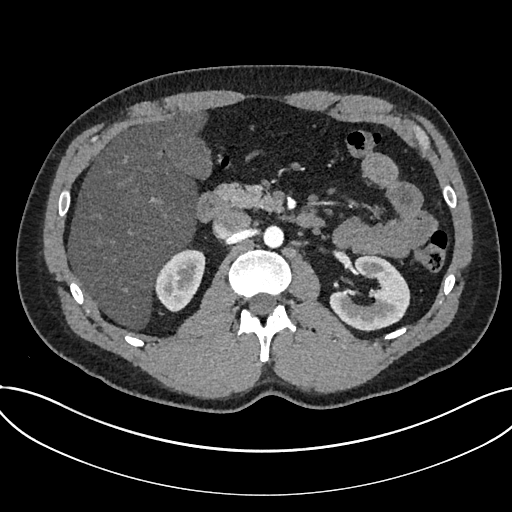
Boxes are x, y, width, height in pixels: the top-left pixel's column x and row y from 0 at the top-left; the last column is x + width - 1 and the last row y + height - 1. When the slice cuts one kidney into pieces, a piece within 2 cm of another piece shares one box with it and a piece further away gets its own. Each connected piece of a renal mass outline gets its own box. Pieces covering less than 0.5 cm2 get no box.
Arterial-phase contrast-enhanced abdominal CT, axial slice 447 of 735 (counted from the lowest slice); 1.00 mm thick, 0.789 mm per pixel. Boxed on this slice (two kidney boxes), listed by box centre from the image's left to its right: (1) Kidney, box x 155, y 249, width 51, height 64 (outlined area 2,228 px, about 13.9 cm2). (2) Kidney at x 329, y 255, width 81, height 77 (outlined area 3,854 px, about 24.0 cm2). No renal mass outline on this slice.
Tube voltage 120 kVp; convolution kernel I30f.